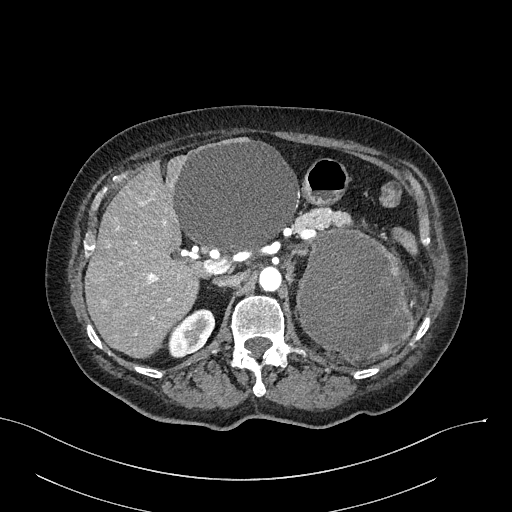
One axial slice (175 of 316, counting up from the lowest) of an arterial-phase abdominal CT acquired with 100 kVp, kernel I40f; each pixel is 0.840 mm and the slice is 2.00 mm thick.
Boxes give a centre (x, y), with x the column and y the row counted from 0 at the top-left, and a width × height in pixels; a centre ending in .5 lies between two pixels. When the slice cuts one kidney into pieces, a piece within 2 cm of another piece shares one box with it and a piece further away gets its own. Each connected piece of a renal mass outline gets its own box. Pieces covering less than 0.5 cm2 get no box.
Two boxes on this slice (one kidney box and one renal mass box), listed by box centre from the image's left to its right. (1) Right kidney, box centre (191, 332.5), 49 × 50 pixels (outlined area 1,583 px, about 11.2 cm2). (2) Left renal mass in a box with centre (353.5, 293), 118 × 131 pixels (outlined area 11,739 px, about 82.8 cm2); here it is more than 1 cm from any kidney outline, though on another slice the same outlined renal mass lies within 1 cm of the kidney.